Abdominal CT with intravenous contrast, arterial phase, axial plane, 120 kVp, kernel I30f. Slice 371/673 from the bottom of the scan; thickness 1.00 mm; pixel size 0.855 mm.
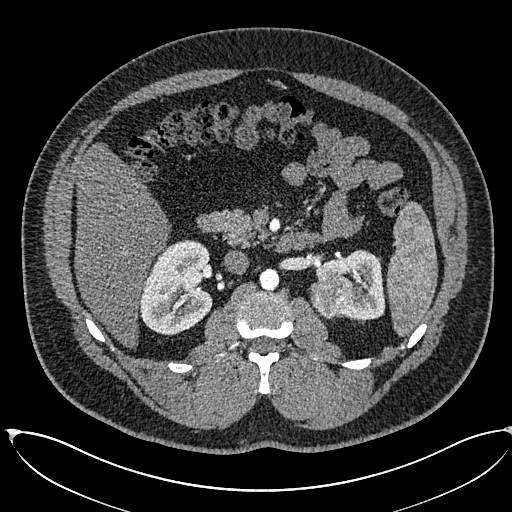
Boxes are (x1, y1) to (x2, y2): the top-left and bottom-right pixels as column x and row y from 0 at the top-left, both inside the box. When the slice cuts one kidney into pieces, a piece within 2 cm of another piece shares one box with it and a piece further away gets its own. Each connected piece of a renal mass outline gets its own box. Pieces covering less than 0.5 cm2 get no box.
Three boxes on this slice (two kidney boxes and one renal mass box), listed by box centre from the image's left to its right. (1) Box (139, 239) to (212, 334): right kidney (outlined area 5,346 px, about 39.1 cm2). (2) Left renal mass from (309, 276) to (354, 319) (outlined area 1,549 px, about 11.3 cm2). (3) Box (315, 249) to (385, 320): left kidney (outlined area 2,775 px, about 20.3 cm2).